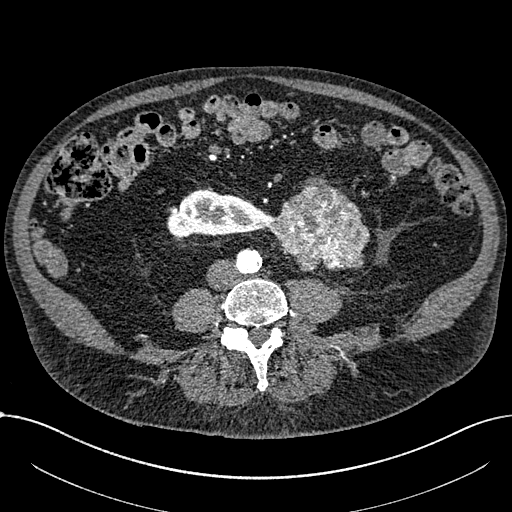
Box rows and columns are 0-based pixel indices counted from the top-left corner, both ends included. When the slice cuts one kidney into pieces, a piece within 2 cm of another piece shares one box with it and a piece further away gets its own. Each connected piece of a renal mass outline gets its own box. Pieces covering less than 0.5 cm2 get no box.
This is axial slice 246 of 1059 (slice 1 is the lowest) of an arterial-phase abdominal CT with contrast; each pixel is 0.811 mm and the slice is 1.00 mm thick. Two boxes on this slice (one kidney box and one renal mass box), listed by box centre from the image's left to its right. (1) Right part of the midline-crossing kidney at rows 189–238, columns 167–273 (outlined area 3,666 px, about 24.1 cm2). (2) Box rows 181–271, columns 271–369: renal mass (outlined area 6,369 px, about 41.8 cm2).
Scan settings: 100 kVp, I30f reconstruction kernel.